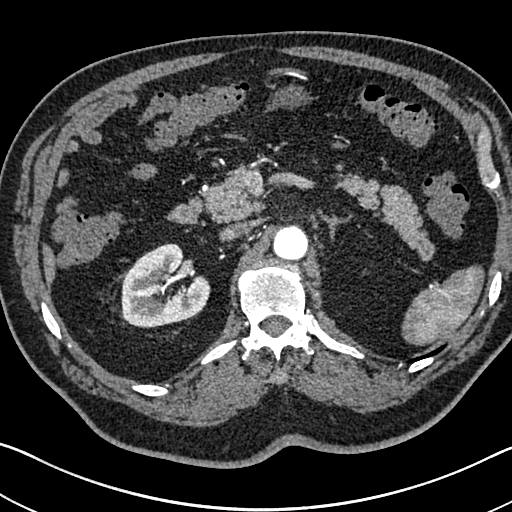
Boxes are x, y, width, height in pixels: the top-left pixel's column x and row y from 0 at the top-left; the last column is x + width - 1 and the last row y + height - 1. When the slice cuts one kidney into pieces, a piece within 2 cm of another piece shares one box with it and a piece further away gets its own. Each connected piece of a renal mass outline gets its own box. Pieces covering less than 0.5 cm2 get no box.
Arterial-phase contrast-enhanced abdominal CT, axial slice 480 of 705 (counted from the lowest slice); 1.00 mm thick, 0.703 mm per pixel. Right kidney, box x 121, y 243, width 89, height 86 (outlined area 5,470 px, about 27.0 cm2). No renal mass is outlined on this slice.
Acquired at 120 kVp and reconstructed with the I30f kernel.